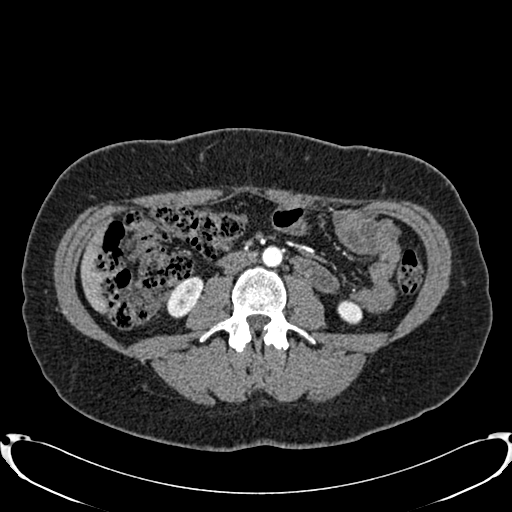
Arterial-phase contrast-enhanced abdominal CT, axial slice 377 of 719 (counted from the lowest slice); tube voltage 120 kVp, convolution kernel B20f; slices 1.00 mm thick, 0.766 mm per pixel.
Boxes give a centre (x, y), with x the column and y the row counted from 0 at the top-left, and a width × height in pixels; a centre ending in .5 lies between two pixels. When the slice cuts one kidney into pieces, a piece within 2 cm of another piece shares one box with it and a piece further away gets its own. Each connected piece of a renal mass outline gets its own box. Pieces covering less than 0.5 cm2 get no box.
Two boxes on this slice (two kidney boxes), listed by box centre from the image's left to its right. (1) Right kidney, box centre (183.5, 297.5), 38 × 42 pixels (outlined area 1,024 px, about 6.0 cm2). (2) Left kidney in a box with centre (349.5, 312), 26 × 25 pixels (outlined area 496 px, about 2.9 cm2). This slice carries no renal mass outline.